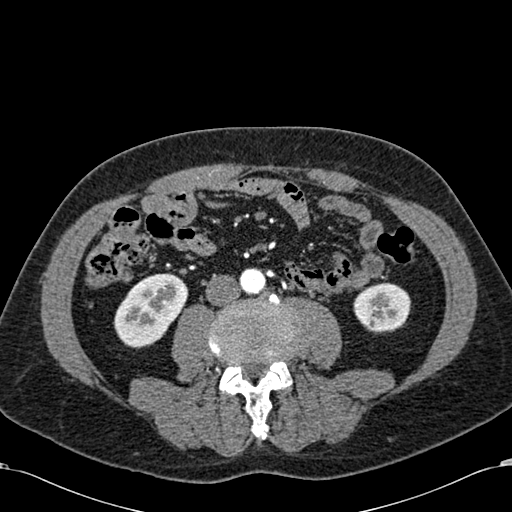
Abdominal CT with intravenous contrast, arterial phase, axial plane, 120 kVp, kernel B30f. Slice 236/581 from the bottom of the scan; thickness 1.00 mm; pixel size 0.713 mm.
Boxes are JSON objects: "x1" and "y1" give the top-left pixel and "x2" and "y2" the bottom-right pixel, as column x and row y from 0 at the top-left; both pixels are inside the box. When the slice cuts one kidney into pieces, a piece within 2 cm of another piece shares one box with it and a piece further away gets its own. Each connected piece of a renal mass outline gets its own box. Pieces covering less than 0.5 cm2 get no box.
Boxed on this slice (two kidney boxes), listed by box centre from the image's left to its right: (1) Right kidney at {"x1": 113, "y1": 273, "x2": 188, "y2": 348} (outlined area 3,878 px, about 19.7 cm2). (2) Left kidney at {"x1": 353, "y1": 282, "x2": 410, "y2": 333} (outlined area 2,308 px, about 11.7 cm2). No renal mass outline on this slice.